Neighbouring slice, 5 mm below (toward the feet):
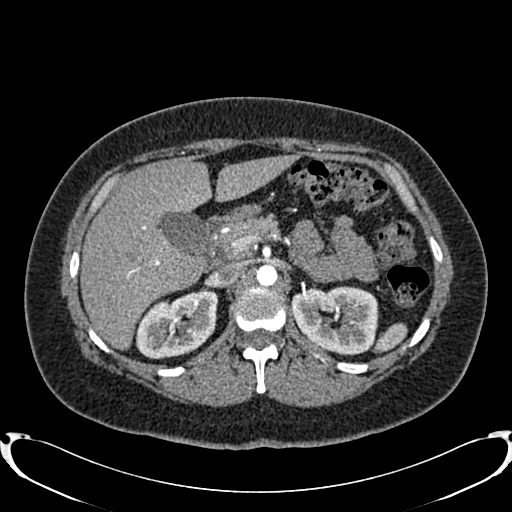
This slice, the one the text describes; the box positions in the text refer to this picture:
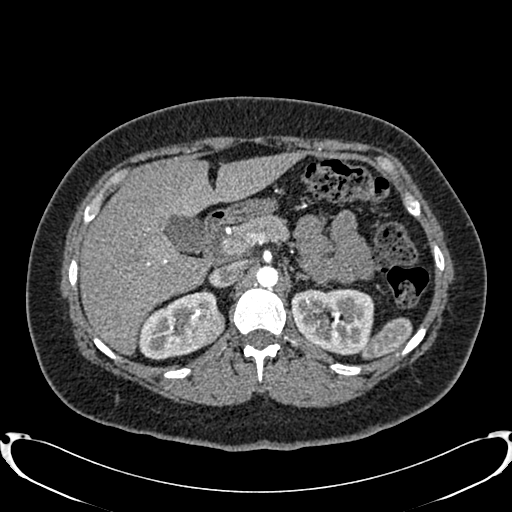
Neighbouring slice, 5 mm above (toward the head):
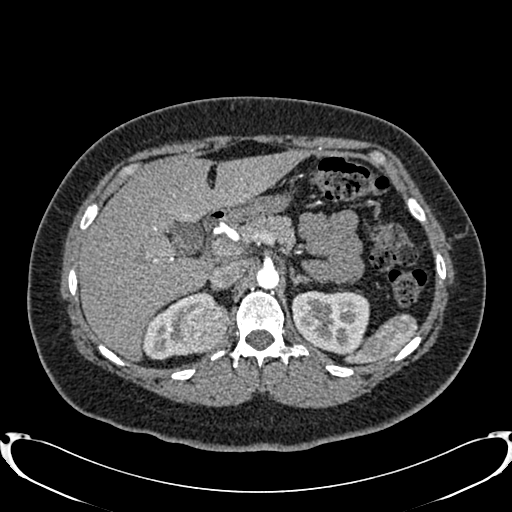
Arterial-phase contrast-enhanced abdominal CT, axial slice 548 of 719 (counted from the lowest slice); tube voltage 120 kVp, convolution kernel B20f; slices 1.00 mm thick, 0.766 mm per pixel.
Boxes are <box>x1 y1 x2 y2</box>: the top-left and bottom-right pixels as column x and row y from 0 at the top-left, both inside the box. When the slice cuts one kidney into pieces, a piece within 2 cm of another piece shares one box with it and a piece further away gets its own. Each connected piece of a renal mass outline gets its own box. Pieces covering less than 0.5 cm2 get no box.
Three boxes on this slice (two kidney boxes and one renal mass box), listed by box centre from the image's left to its right. (1) Right kidney: <box>137 289 217 359</box> (outlined area 3,119 px, about 18.3 cm2). (2) Right renal mass: <box>185 309 224 346</box> (outlined area 1,138 px, about 6.7 cm2). (3) Left kidney: <box>291 288 374 355</box> (outlined area 4,475 px, about 26.2 cm2). This slice is near the end of the right renal mass toward the feet, so the slices 5 mm below and 5 mm above it are shown as well; the boxes refer to this slice only.